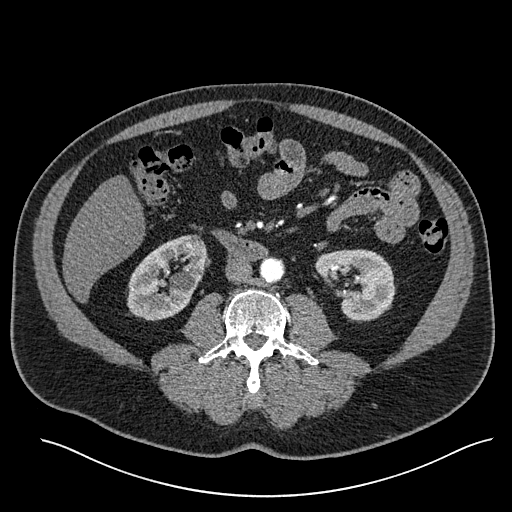
Arterial-phase contrast-enhanced abdominal CT, axial slice 265 of 527 (counted from the lowest slice); tube voltage 120 kVp, convolution kernel I30f; slices 1.00 mm thick, 0.859 mm per pixel.
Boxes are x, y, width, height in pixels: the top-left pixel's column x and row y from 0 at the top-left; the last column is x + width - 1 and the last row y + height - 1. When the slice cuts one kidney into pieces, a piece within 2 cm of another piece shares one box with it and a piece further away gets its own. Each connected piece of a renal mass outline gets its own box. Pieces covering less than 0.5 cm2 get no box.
Two kidney boxes on this slice; by box centre, from the image's left to its right: (1) Right kidney, box x 127, y 234, width 80, height 87 (outlined area 4,671 px, about 34.5 cm2). (2) Box x 316, y 249, width 80, height 74: left kidney (outlined area 4,018 px, about 29.7 cm2). No renal mass is outlined on this slice.